One axial slice (95 of 207, counting up from the lowest) of an arterial-phase abdominal CT acquired with 120 kVp, kernel FC18; each pixel is 0.741 mm and the slice is 2.00 mm thick.
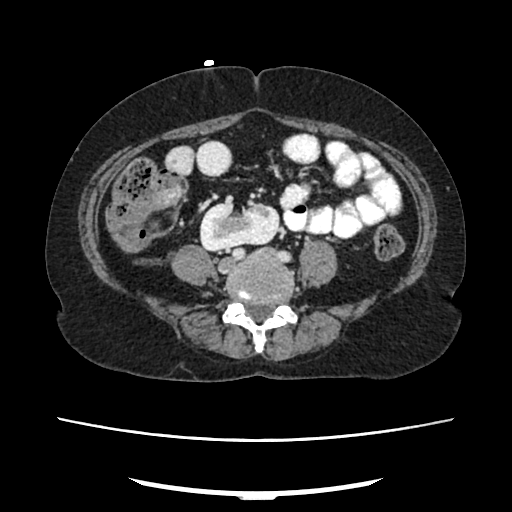
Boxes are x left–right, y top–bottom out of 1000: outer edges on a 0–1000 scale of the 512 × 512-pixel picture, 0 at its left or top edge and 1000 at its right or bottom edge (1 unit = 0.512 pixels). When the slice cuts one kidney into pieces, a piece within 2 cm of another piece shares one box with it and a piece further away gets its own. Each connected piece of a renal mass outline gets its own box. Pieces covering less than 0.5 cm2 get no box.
Box x 389–547, y 395–492 out of 1000: right kidney (outlined area 3,164 px, about 17.4 cm2). This slice carries no renal mass outline.